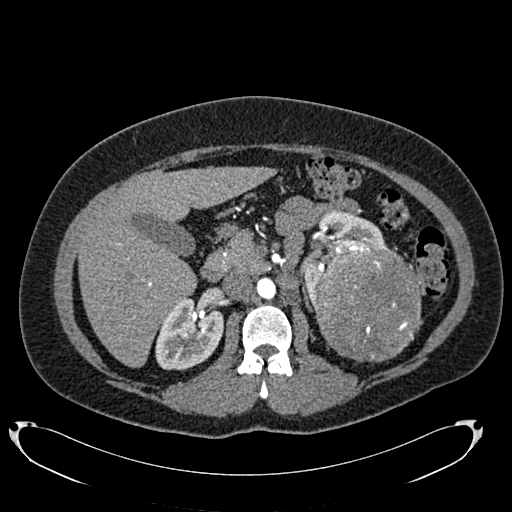
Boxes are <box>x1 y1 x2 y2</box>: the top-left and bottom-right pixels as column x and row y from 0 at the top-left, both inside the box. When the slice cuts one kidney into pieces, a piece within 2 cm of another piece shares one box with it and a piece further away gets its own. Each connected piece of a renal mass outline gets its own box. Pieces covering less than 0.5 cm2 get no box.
This is axial slice 452 of 634 (slice 1 is the lowest) of an arterial-phase abdominal CT with contrast; each pixel is 0.838 mm and the slice is 1.00 mm thick. Three boxes on this slice (two kidney boxes and one renal mass box), listed by box centre from the image's left to its right. (1) Right kidney at <box>155 297 223 370</box> (outlined area 3,765 px, about 26.4 cm2). (2) At <box>300 210 386 305</box>: left kidney (outlined area 2,967 px, about 20.8 cm2). (3) At <box>313 245 422 361</box>: left renal mass (outlined area 10,290 px, about 72.2 cm2).
Tube voltage 120 kVp; convolution kernel B20f.